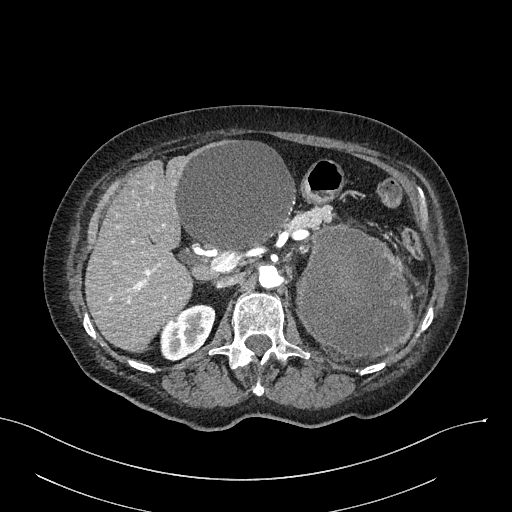
One axial slice (169 of 316, counting up from the lowest) of an arterial-phase abdominal CT acquired with 100 kVp, kernel I40f; each pixel is 0.840 mm and the slice is 2.00 mm thick.
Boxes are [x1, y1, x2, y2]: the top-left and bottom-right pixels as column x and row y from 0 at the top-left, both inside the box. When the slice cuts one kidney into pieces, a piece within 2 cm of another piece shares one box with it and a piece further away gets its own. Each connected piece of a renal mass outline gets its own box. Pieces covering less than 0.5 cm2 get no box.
One kidney box and one renal mass box on this slice; by box centre, from the image's left to its right: (1) Right kidney at [160, 304, 215, 361] (outlined area 2,171 px, about 15.3 cm2). (2) Left renal mass, box [295, 225, 413, 358] (outlined area 12,135 px, about 85.6 cm2); on this slice it lies more than 1 cm from any kidney outline, but the same outlined renal mass comes within 1 cm of the kidney on another slice.